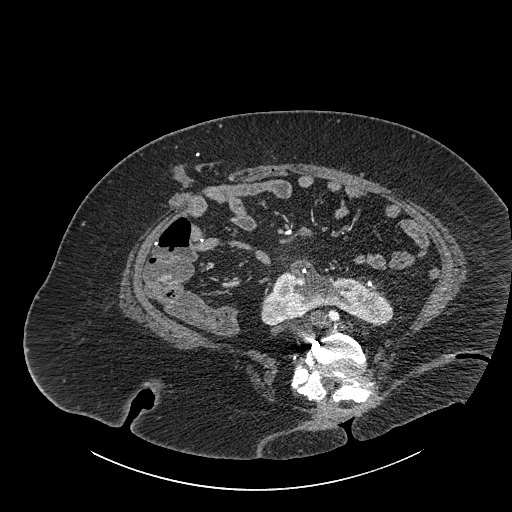
Abdominal CT with intravenous contrast, axial plane, 140 kVp, kernel I30f. Slice 446/834 from the bottom of the scan; thickness 1.00 mm; pixel size 0.977 mm.
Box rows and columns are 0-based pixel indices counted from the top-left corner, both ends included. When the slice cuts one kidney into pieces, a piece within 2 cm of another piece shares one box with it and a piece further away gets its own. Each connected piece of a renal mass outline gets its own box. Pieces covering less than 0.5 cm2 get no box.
Box rows 258–326, columns 260–393: kidney crossing the body midline (outlined area 5,130 px, about 48.9 cm2). No renal mass outline on this slice.